Axial slice 496 of 738 of a contrast-enhanced abdominal CT in the arterial phase (slice 1 is the lowest), 120 kVp, kernel I30f; 1.00 mm slice thickness and 0.789 mm pixels.
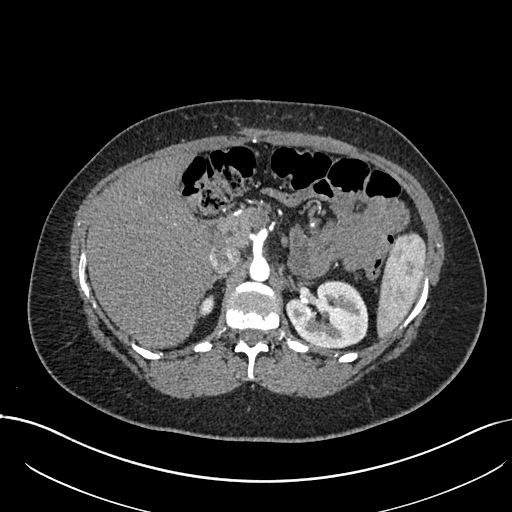
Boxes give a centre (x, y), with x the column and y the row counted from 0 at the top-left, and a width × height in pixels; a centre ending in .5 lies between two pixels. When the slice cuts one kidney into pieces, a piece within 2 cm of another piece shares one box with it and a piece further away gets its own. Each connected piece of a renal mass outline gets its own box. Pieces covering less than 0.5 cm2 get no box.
Boxed on this slice (two kidney boxes), listed by box centre from the image's left to its right: (1) Right kidney in a box with centre (206, 305.5), 17 × 22 pixels (outlined area 236 px, about 1.5 cm2). (2) Left kidney in a box with centre (326.5, 313.5), 84 × 68 pixels (outlined area 4,273 px, about 26.6 cm2). This slice carries no renal mass outline.